Arterial-phase contrast-enhanced abdominal CT, axial slice 366 of 1059 (counted from the lowest slice); tube voltage 100 kVp, convolution kernel I30f; slices 1.00 mm thick, 0.811 mm per pixel.
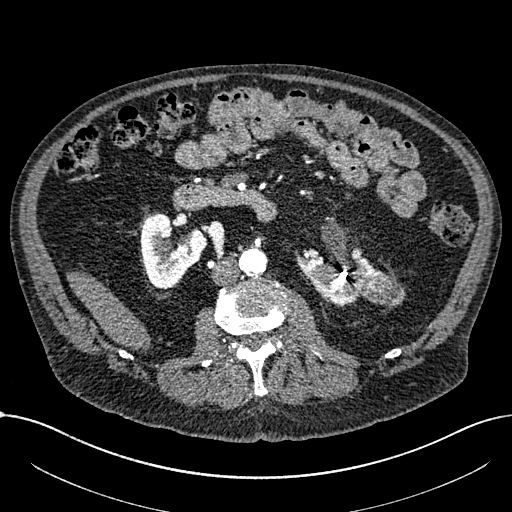
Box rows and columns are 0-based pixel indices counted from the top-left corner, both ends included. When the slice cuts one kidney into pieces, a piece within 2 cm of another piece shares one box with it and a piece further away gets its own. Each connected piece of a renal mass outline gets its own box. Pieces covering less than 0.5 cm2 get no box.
Three boxes on this slice (two kidney boxes and one renal mass box), listed by box centre from the image's left to its right. (1) Right part of the midline-crossing kidney at rows 214–289, columns 141–207 (outlined area 3,366 px, about 22.1 cm2). (2) Left part of the midline-crossing kidney, box rows 247–305, columns 296–384 (outlined area 2,858 px, about 18.8 cm2). (3) Box rows 274–305, columns 358–405: renal mass (outlined area 1,173 px, about 7.7 cm2).